One axial slice (130 of 326, counting up from the lowest) of an arterial-phase abdominal CT acquired with 120 kVp, kernel B31f; each pixel is 0.963 mm and the slice is 2.00 mm thick.
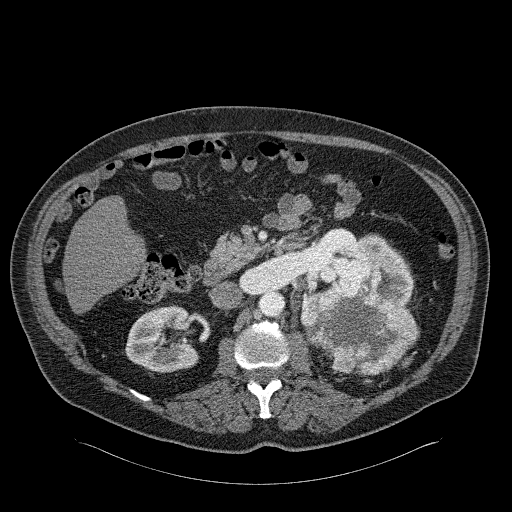
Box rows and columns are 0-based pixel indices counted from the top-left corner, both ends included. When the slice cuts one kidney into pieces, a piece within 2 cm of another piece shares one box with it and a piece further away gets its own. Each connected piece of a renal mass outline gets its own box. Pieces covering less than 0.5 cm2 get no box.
Three boxes on this slice (two kidney boxes and one renal mass box), listed by box centre from the image's left to its right. (1) Right kidney at rows 305–372, columns 125–199 (outlined area 3,734 px, about 34.6 cm2). (2) Box rows 234–304, columns 305–413: left kidney (outlined area 3,060 px, about 28.4 cm2). (3) Box rows 262–374, columns 300–418: left renal mass (outlined area 8,600 px, about 79.7 cm2).